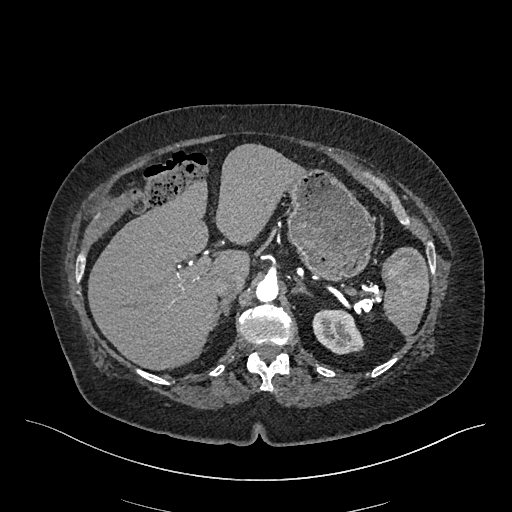
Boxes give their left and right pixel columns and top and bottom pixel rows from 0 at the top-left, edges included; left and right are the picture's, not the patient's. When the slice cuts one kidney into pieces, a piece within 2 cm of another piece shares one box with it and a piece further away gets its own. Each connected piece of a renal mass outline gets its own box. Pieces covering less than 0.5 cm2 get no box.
This is axial slice 345 of 548 (slice 1 is the lowest) of an arterial-phase abdominal CT with contrast; each pixel is 0.852 mm and the slice is 1.00 mm thick. Box with left 312, top 309, right 364, bottom 354: left kidney (outlined area 1,781 px, about 12.9 cm2). No renal mass outline on this slice.
Acquired at 120 kVp and reconstructed with the I26f kernel.